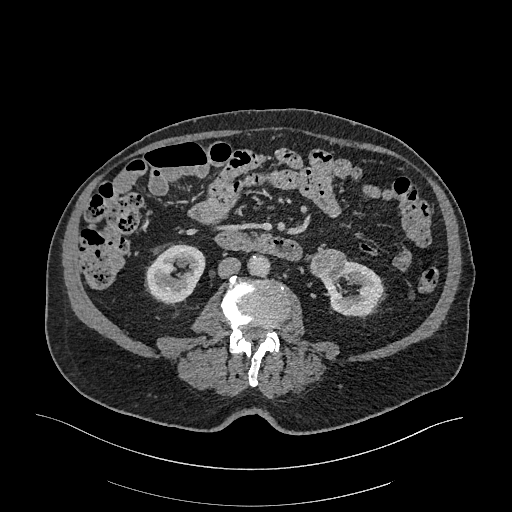
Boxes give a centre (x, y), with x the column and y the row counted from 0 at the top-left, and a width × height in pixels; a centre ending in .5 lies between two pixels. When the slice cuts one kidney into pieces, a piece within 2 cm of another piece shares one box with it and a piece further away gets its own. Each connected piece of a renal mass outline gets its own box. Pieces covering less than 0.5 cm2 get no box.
Arterial-phase contrast-enhanced abdominal CT, axial slice 108 of 470 (counted from the lowest slice); 1.00 mm thick, 0.938 mm per pixel. Three boxes on this slice (two kidney boxes and one renal mass box), listed by box centre from the image's left to its right. (1) Box centre (175.5, 274), 60 × 61 pixels: right kidney (outlined area 2,635 px, about 23.2 cm2). (2) Left renal mass in a box with centre (327.5, 264), 38 × 31 pixels (outlined area 929 px, about 8.2 cm2). (3) Box centre (352, 288), 63 × 57 pixels: left kidney (outlined area 2,206 px, about 19.4 cm2).
Tube voltage 120 kVp; convolution kernel I26f.